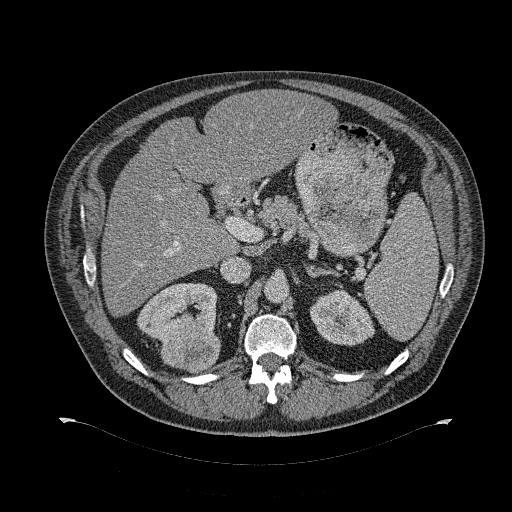
One axial slice (207 of 274, counting up from the lowest) of a contrast-enhanced abdominal CT acquired with 120 kVp, kernel B31f; each pixel is 0.977 mm and the slice is 2.00 mm thick.
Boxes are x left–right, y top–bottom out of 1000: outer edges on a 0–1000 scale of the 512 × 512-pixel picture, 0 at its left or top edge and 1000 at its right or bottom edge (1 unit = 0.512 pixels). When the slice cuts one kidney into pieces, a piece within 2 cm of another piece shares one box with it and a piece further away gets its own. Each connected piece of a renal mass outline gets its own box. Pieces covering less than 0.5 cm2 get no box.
Boxed on this slice (two kidney boxes and one renal mass box), listed by box centre from the image's left to its right: (1) Right kidney, box x 268–424, y 551–670 out of 1000 (outlined area 3,028 px, about 28.9 cm2). (2) Right renal mass, box x 313–432, y 629–729 out of 1000 (outlined area 2,358 px, about 22.5 cm2). (3) Left kidney, box x 604–734, y 563–678 out of 1000 (outlined area 2,657 px, about 25.3 cm2).